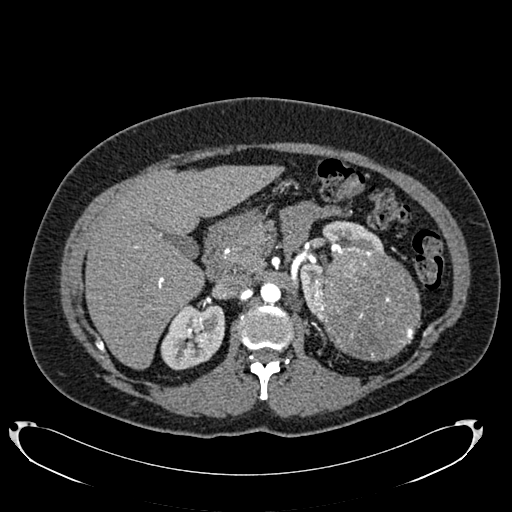
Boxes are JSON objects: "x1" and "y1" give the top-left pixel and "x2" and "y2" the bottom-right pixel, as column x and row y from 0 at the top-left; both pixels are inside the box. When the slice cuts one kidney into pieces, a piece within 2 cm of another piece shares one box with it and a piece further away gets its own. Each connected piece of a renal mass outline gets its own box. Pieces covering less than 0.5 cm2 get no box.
Arterial-phase contrast-enhanced abdominal CT, axial slice 473 of 634 (counted from the lowest slice); 1.00 mm thick, 0.838 mm per pixel. Three boxes on this slice (two kidney boxes and one renal mass box), listed by box centre from the image's left to its right. (1) Right kidney at {"x1": 160, "y1": 305, "x2": 225, "y2": 370} (outlined area 3,164 px, about 22.2 cm2). (2) Left kidney, box {"x1": 299, "y1": 220, "x2": 384, "y2": 321} (outlined area 2,794 px, about 19.6 cm2). (3) Left renal mass at {"x1": 321, "y1": 245, "x2": 421, "y2": 361} (outlined area 9,164 px, about 64.3 cm2).
Acquired at 120 kVp and reconstructed with the B20f kernel.